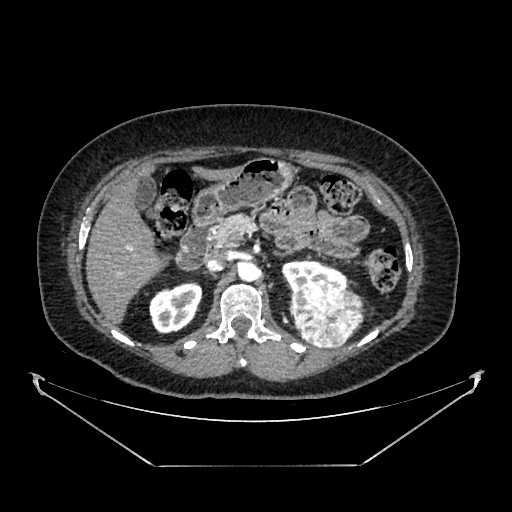
Abdominal CT with intravenous contrast, arterial phase, axial plane, 100 kVp, kernel SOFT. Slice 254/383 from the bottom of the scan; thickness 1.25 mm; pixel size 0.898 mm.
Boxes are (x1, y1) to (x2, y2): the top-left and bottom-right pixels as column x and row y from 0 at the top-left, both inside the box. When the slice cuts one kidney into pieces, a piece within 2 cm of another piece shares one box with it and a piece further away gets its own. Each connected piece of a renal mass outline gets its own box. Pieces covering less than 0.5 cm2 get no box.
Two kidney boxes and one renal mass box on this slice; by box centre, from the image's left to its right: (1) Right kidney, box (149, 281) to (202, 333) (outlined area 2,066 px, about 16.7 cm2). (2) Left kidney from (281, 259) to (347, 290) (outlined area 1,286 px, about 10.4 cm2). (3) Left renal mass, box (291, 281) to (363, 348) (outlined area 3,930 px, about 31.7 cm2).